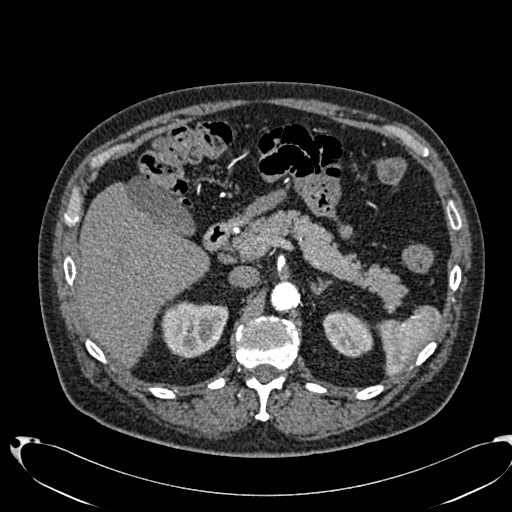
Axial slice 478 of 553 of a contrast-enhanced abdominal CT in the arterial phase (slice 1 is the lowest), 120 kVp, kernel B20f; 1.00 mm slice thickness and 0.773 mm pixels.
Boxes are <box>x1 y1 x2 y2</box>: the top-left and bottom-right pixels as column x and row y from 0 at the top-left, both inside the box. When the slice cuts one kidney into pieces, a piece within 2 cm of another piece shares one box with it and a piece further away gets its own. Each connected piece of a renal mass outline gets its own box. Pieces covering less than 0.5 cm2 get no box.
Two kidney boxes on this slice; by box centre, from the image's left to its right: (1) Right kidney: <box>161 301 228 359</box> (outlined area 2,999 px, about 17.9 cm2). (2) At <box>322 309 373 357</box>: left kidney (outlined area 1,767 px, about 10.6 cm2). No renal mass is outlined on this slice.